One axial slice (18 of 38, counting up from the lowest) of a contrast-enhanced abdominal CT acquired with 100 kVp, kernel I30f; each pixel is 0.730 mm and the slice is 5.00 mm thick.
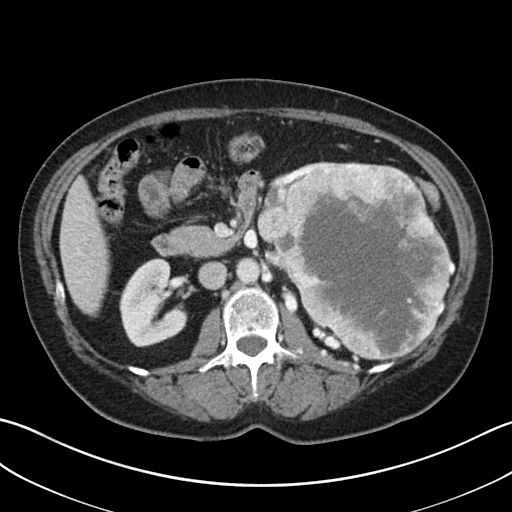
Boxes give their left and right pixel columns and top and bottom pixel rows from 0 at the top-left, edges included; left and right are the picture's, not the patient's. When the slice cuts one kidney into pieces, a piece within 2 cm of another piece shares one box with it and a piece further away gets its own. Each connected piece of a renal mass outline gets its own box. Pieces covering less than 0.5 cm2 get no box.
Boxed on this slice (one kidney box and one renal mass box), listed by box centre from the image's left to its right: (1) Right kidney in the box with left 119, top 258, right 187, bottom 347 (outlined area 4,296 px, about 22.9 cm2). (2) Box with left 257, top 164, right 455, bottom 360: left renal mass (outlined area 27,516 px, about 146.8 cm2); here it is more than 1 cm from any kidney outline, though on another slice the same outlined renal mass lies within 1 cm of the kidney.